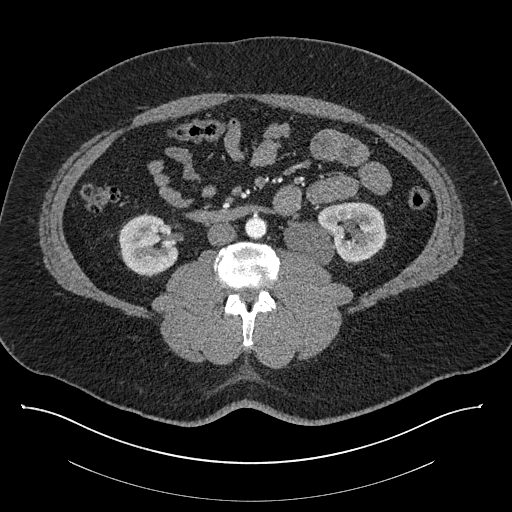
One axial slice (420 of 787, counting up from the lowest) of a contrast-enhanced abdominal CT acquired with 140 kVp, kernel I30f; each pixel is 0.910 mm and the slice is 1.00 mm thick.
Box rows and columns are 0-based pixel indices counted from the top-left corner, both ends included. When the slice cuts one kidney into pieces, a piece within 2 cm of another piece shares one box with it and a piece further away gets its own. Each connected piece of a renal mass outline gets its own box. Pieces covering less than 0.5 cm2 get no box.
Two kidney boxes on this slice; by box centre, from the image's left to its right: (1) Right kidney at rows 213–276, columns 118–179 (outlined area 2,865 px, about 23.7 cm2). (2) Box rows 201–265, columns 283–386: left kidney (outlined area 4,781 px, about 39.6 cm2). No renal mass outline on this slice.